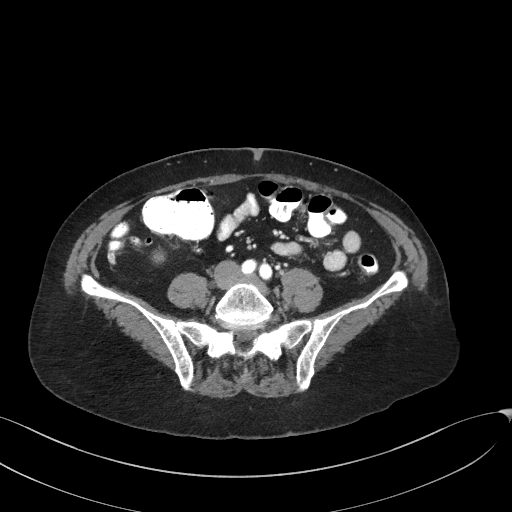
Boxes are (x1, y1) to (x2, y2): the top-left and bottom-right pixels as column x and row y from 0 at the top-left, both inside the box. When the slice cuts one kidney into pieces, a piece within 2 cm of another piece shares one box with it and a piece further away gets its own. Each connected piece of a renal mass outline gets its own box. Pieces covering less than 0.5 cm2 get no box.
Slice 63/129 of a contrast-enhanced abdominal CT in the arterial phase, counting up from the lowest; pixel size 0.779 mm, slice thickness 3.00 mm. Box (151, 247) to (165, 264): right kidney (outlined area 193 px, about 1.2 cm2). No renal mass is outlined on this slice.
Tube voltage 100 kVp; convolution kernel I41f.